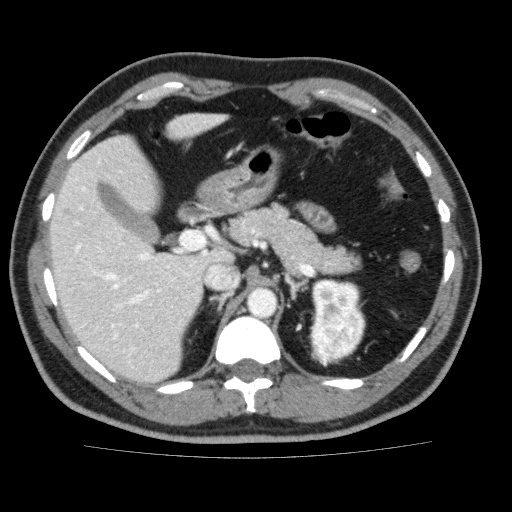
One axial slice (121 of 159, counting up from the lowest) of a contrast-enhanced abdominal CT acquired with 120 kVp, kernel FC13; each pixel is 0.668 mm and the slice is 3.00 mm thick.
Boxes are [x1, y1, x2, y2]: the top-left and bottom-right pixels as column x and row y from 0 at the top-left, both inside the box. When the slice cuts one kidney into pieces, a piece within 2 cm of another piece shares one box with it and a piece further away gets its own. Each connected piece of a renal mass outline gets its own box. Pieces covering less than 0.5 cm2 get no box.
Two boxes on this slice (one kidney box and one renal mass box), listed by box centre from the image's left to its right. (1) Left kidney at [311, 278, 360, 323] (outlined area 1,512 px, about 6.7 cm2). (2) Left renal mass at [309, 308, 366, 362] (outlined area 2,366 px, about 10.6 cm2).